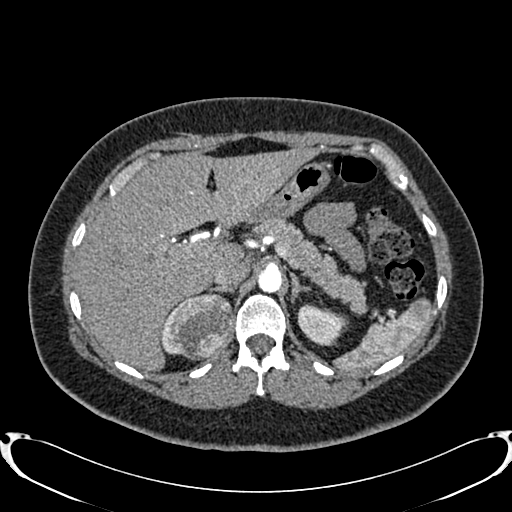
Arterial-phase contrast-enhanced abdominal CT, axial slice 584 of 719 (counted from the lowest slice); tube voltage 120 kVp, convolution kernel B20f; slices 1.00 mm thick, 0.766 mm per pixel.
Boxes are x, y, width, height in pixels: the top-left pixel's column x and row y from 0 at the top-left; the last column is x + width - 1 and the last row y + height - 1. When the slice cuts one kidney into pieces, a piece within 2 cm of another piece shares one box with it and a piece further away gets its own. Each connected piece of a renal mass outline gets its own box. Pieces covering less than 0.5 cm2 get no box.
Two kidney boxes and one renal mass box on this slice; by box centre, from the image's left to its right: (1) Right kidney at x 160, y 301, width 21, height 55 (outlined area 375 px, about 2.2 cm2). (2) Right renal mass at x 169, y 293, width 66, height 68 (outlined area 3,460 px, about 20.3 cm2). (3) Box x 297, y 304, width 52, height 41: left kidney (outlined area 1,484 px, about 8.7 cm2).